Axial slice 55 of 325 of a contrast-enhanced abdominal CT in the arterial phase (slice 1 is the lowest), 100 kVp, kernel I30f; 1.00 mm slice thickness and 0.703 mm pixels.
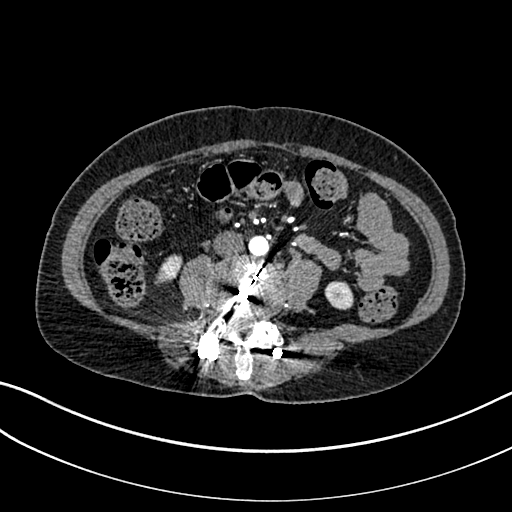
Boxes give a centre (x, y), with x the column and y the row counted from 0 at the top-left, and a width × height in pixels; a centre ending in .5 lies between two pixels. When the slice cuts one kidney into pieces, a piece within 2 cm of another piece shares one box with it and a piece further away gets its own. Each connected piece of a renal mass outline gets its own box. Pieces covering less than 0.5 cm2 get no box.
Boxed on this slice (two kidney boxes), listed by box centre from the image's left to its right: (1) Right kidney, box centre (168, 269.5), 29 × 32 pixels (outlined area 533 px, about 2.6 cm2). (2) Left kidney, box centre (338.5, 295), 30 × 29 pixels (outlined area 668 px, about 3.3 cm2). This slice carries no renal mass outline.